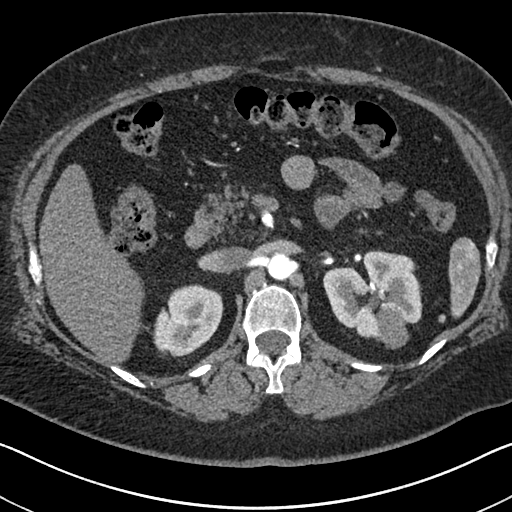
Axial slice 445 of 591 of a contrast-enhanced abdominal CT in the arterial phase (slice 1 is the lowest), 140 kVp, kernel I30f; 1.00 mm slice thickness and 0.703 mm pixels.
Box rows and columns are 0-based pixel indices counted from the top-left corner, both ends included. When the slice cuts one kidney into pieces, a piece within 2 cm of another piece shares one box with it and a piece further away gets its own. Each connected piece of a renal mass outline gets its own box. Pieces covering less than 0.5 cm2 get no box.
Three boxes on this slice (two kidney boxes and one renal mass box), listed by box centre from the image's left to its right. (1) Box rows 284–357, columns 152–223: right kidney (outlined area 3,770 px, about 18.6 cm2). (2) Left kidney, box rows 250–341, columns 323–422 (outlined area 5,825 px, about 28.8 cm2). (3) Left renal mass, box rows 306–348, columns 376–409 (outlined area 1,053 px, about 5.2 cm2).